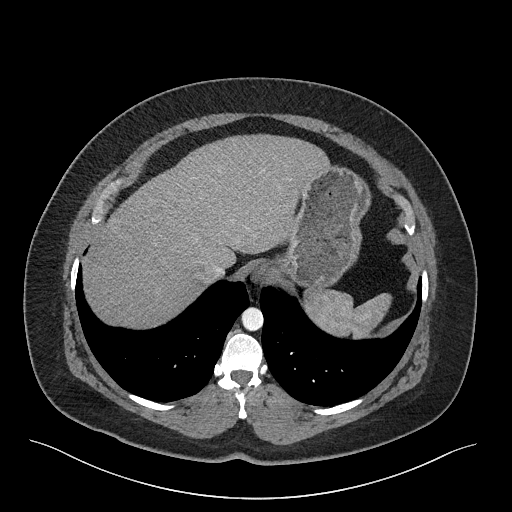
Axial slice 226 of 301 of a contrast-enhanced abdominal CT (slice 1 is the lowest), 120 kVp, kernel I40f; 2.00 mm slice thickness and 0.859 mm pixels.
Outside the outlined region: no kidney outline and no renal mass outline on this slice. The scan's outlines cover only kidneys and renal masses; no other organ is outlined.